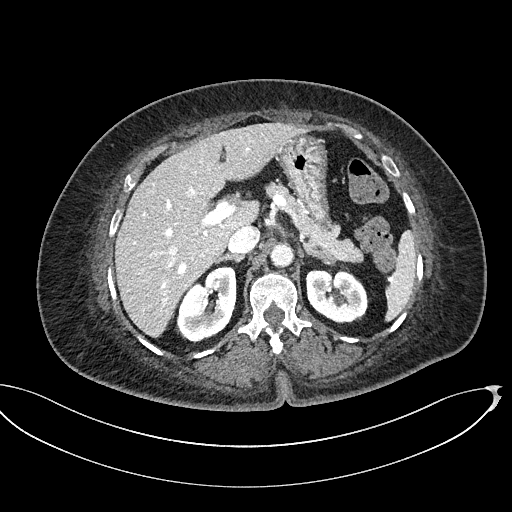
Abdominal CT with intravenous contrast, axial plane, 100 kVp, kernel I40f. Slice 339/439 from the bottom of the scan; thickness 2.00 mm; pixel size 0.850 mm.
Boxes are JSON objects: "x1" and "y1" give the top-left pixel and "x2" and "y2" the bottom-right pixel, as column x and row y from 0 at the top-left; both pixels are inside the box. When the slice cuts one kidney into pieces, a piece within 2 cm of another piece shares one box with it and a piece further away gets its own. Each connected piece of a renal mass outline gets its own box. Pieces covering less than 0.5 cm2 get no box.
Two boxes on this slice (two kidney boxes), listed by box centre from the image's left to its right. (1) Right kidney, box {"x1": 175, "y1": 267, "x2": 236, "y2": 343} (outlined area 3,266 px, about 23.6 cm2). (2) Left kidney at {"x1": 305, "y1": 269, "x2": 368, "y2": 323} (outlined area 2,711 px, about 19.6 cm2). This slice carries no renal mass outline.